One axial slice (369 of 673, counting up from the lowest) of an arterial-phase abdominal CT acquired with 120 kVp, kernel I30f; each pixel is 0.855 mm and the slice is 1.00 mm thick.
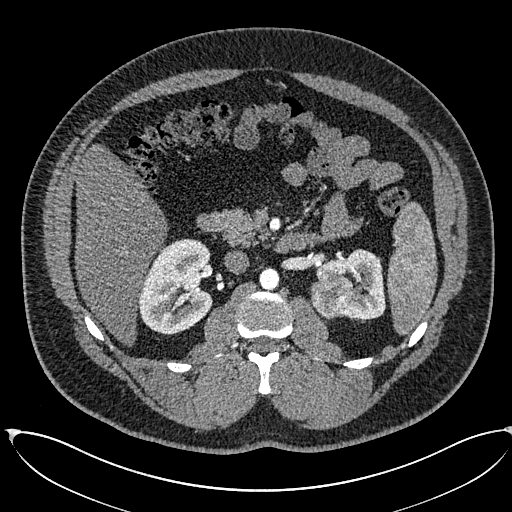
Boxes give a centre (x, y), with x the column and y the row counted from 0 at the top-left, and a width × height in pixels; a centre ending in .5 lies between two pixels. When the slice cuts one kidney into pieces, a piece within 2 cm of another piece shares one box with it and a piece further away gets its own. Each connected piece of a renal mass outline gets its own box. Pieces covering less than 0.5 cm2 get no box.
Three boxes on this slice (two kidney boxes and one renal mass box), listed by box centre from the image's left to its right. (1) Right kidney, box centre (175, 286), 75 × 97 pixels (outlined area 5,471 px, about 40.0 cm2). (2) Box centre (331.5, 297.5), 44 × 44 pixels: left renal mass (outlined area 1,526 px, about 11.2 cm2). (3) Left kidney, box centre (351, 283.5), 71 × 72 pixels (outlined area 2,830 px, about 20.7 cm2).